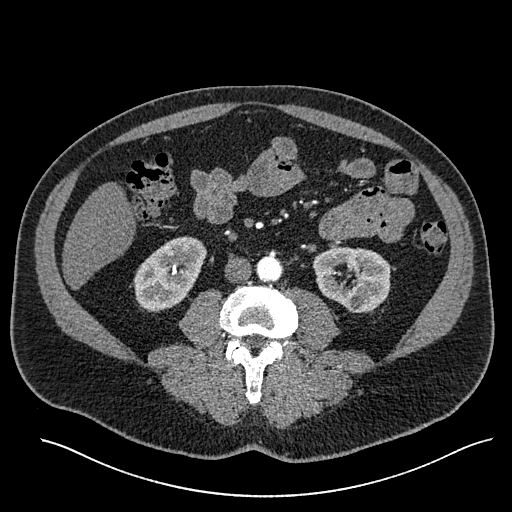
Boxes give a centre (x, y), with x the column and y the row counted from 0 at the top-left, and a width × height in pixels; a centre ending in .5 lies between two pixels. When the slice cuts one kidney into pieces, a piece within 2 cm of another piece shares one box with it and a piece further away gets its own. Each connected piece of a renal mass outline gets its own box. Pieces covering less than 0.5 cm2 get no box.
Slice 242/527 of a contrast-enhanced abdominal CT in the arterial phase, counting up from the lowest; pixel size 0.859 mm, slice thickness 1.00 mm. Two boxes on this slice (two kidney boxes), listed by box centre from the image's left to its right. (1) Right kidney, box centre (169.5, 273.5), 74 × 76 pixels (outlined area 3,793 px, about 28.0 cm2). (2) Box centre (351.5, 279.5), 80 × 68 pixels: left kidney (outlined area 3,904 px, about 28.8 cm2). No renal mass outline on this slice.
Scan settings: 120 kVp, I30f reconstruction kernel.